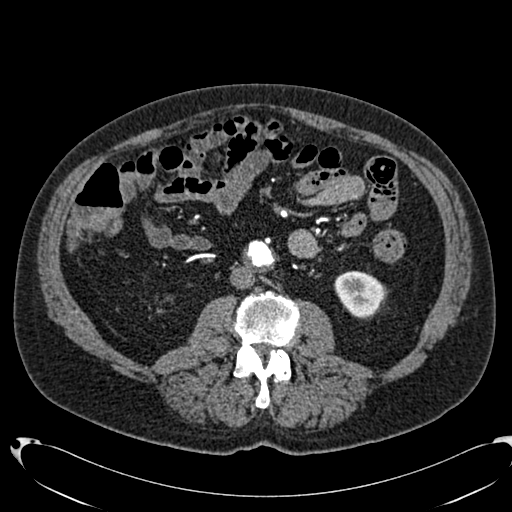
One axial slice (330 of 553, counting up from the lowest) of an arterial-phase abdominal CT acquired with 120 kVp, kernel B20f; each pixel is 0.773 mm and the slice is 1.00 mm thick.
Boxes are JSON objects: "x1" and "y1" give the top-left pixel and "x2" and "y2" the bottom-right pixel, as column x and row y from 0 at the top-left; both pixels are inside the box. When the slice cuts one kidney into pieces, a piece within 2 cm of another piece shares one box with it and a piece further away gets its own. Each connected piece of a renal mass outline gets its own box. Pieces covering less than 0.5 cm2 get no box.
Left kidney, box {"x1": 334, "y1": 271, "x2": 384, "y2": 317} (outlined area 1,781 px, about 10.7 cm2). No renal mass is outlined on this slice.